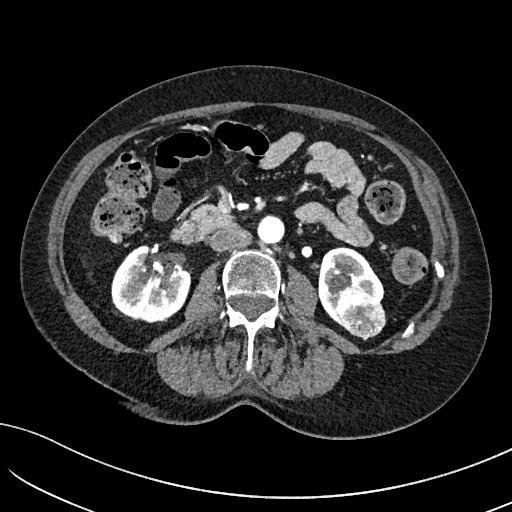
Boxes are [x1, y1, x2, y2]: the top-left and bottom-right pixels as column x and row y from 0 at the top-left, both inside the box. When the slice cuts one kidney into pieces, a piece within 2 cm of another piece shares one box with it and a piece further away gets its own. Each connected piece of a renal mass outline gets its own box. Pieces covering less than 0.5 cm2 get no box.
This is axial slice 46 of 234 (slice 1 is the lowest) of an arterial-phase abdominal CT with contrast; each pixel is 0.699 mm and the slice is 2.00 mm thick. Three boxes on this slice (two kidney boxes and one renal mass box), listed by box centre from the image's left to its right. (1) Right kidney at [111, 244, 191, 323] (outlined area 4,615 px, about 22.6 cm2). (2) Left kidney, box [317, 247, 384, 320] (outlined area 2,646 px, about 12.9 cm2). (3) Left renal mass at [334, 287, 386, 340] (outlined area 2,023 px, about 9.9 cm2).
Acquired at 100 kVp and reconstructed with the I40f kernel.